Arterial-phase contrast-enhanced abdominal CT, axial slice 389 of 541 (counted from the lowest slice); tube voltage 120 kVp, convolution kernel I30f; slices 1.00 mm thick, 0.834 mm per pixel.
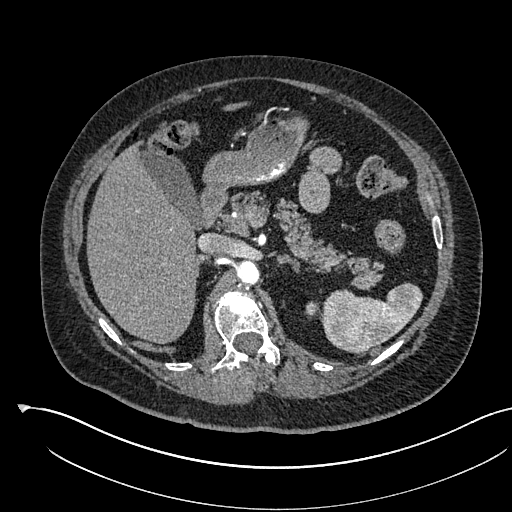
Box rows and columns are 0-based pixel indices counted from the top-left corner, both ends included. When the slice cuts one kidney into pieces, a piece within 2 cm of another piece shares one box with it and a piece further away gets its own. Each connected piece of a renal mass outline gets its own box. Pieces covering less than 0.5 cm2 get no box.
Box rows 302–319, columns 305–317: left kidney (outlined area 164 px, about 1.1 cm2). No renal mass is outlined on this slice.